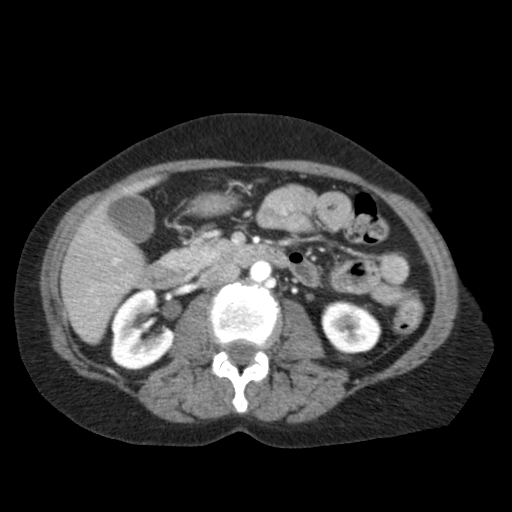
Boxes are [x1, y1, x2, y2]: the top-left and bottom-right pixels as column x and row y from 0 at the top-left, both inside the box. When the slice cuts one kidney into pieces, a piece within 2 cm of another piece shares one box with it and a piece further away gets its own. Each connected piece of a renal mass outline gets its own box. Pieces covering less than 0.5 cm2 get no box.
Arterial-phase contrast-enhanced abdominal CT, axial slice 55 of 79 (counted from the lowest slice); 5.00 mm thick, 0.686 mm per pixel. Two kidney boxes on this slice; by box centre, from the image's left to its right: (1) Right kidney at [110, 288, 173, 370] (outlined area 3,772 px, about 17.8 cm2). (2) Left kidney, box [321, 300, 381, 354] (outlined area 2,476 px, about 11.7 cm2). No renal mass is outlined on this slice.
Scan settings: 120 kVp, FC11 reconstruction kernel.